Axial slice 17 of 49 of a contrast-enhanced abdominal CT in the arterial phase (slice 1 is the lowest), 120 kVp, kernel B31f; 5.00 mm slice thickness and 0.691 mm pixels.
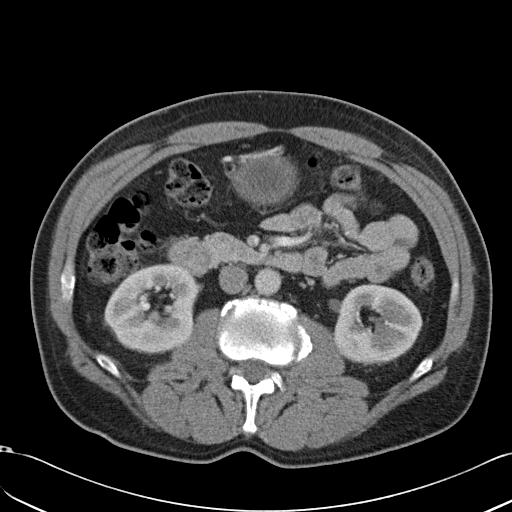
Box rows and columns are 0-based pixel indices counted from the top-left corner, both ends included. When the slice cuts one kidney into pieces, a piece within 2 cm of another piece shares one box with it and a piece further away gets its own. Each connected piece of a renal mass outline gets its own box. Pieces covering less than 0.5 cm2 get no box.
Two kidney boxes on this slice; by box centre, from the image's left to its right: (1) Right kidney at rows 263–353, columns 103–198 (outlined area 6,313 px, about 30.2 cm2). (2) Left kidney, box rows 283–365, columns 334–422 (outlined area 5,456 px, about 26.1 cm2). This slice carries no renal mass outline.